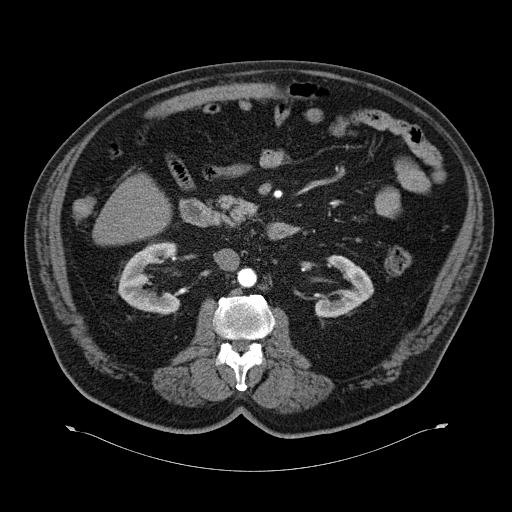
One axial slice (32 of 70, counting up from the lowest) of an arterial-phase abdominal CT acquired with 120 kVp, kernel B30f; each pixel is 0.977 mm and the slice is 5.00 mm thick.
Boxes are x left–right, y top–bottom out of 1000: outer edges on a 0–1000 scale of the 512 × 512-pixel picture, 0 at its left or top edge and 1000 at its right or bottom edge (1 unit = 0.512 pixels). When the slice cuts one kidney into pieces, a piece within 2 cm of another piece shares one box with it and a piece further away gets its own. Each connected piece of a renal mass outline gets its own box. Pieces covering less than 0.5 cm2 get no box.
Boxed on this slice (two kidney boxes), listed by box centre from the image's left to its right: (1) Box x 229–354, y 471–615 out of 1000: right kidney (outlined area 2,605 px, about 24.8 cm2). (2) Left kidney at x 615–730, y 498–621 out of 1000 (outlined area 2,010 px, about 19.2 cm2). No renal mass outline on this slice.